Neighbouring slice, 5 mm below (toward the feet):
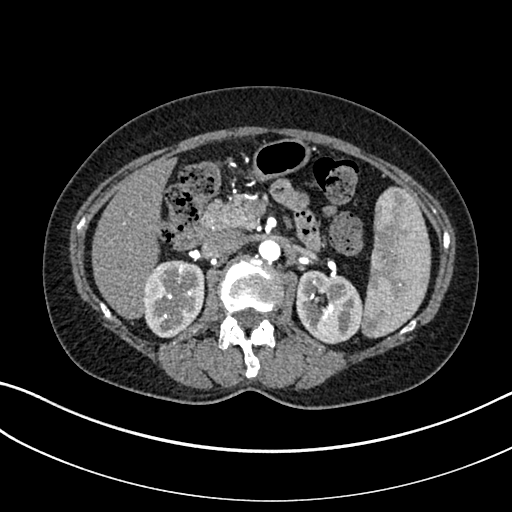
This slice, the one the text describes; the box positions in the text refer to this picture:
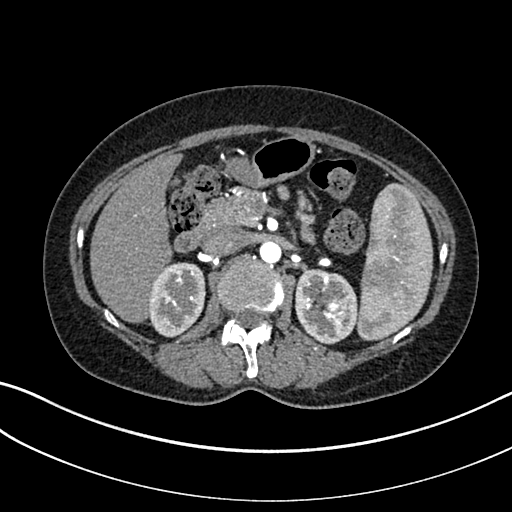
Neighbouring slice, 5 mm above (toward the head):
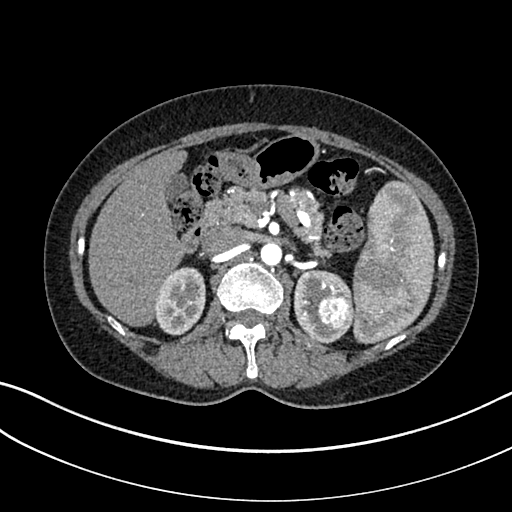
Arterial-phase contrast-enhanced abdominal CT, axial slice 195 of 325 (counted from the lowest slice); tube voltage 100 kVp, convolution kernel I30f; slices 1.00 mm thick, 0.703 mm per pixel.
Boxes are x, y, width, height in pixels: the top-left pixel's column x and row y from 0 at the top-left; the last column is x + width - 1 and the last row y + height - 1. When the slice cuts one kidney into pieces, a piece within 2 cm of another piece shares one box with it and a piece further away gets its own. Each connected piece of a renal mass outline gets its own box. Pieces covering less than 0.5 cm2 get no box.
Three boxes on this slice (two kidney boxes and one renal mass box), listed by box centre from the image's left to its right. (1) Right kidney at x 148, y 262, width 58, height 76 (outlined area 3,448 px, about 17.0 cm2). (2) Left kidney, box x 295, y 269, width 63, height 76 (outlined area 3,452 px, about 17.1 cm2). (3) Box x 322, y 302, width 21, height 22: left renal mass (outlined area 368 px, about 1.8 cm2). This slice is near the end of the left renal mass toward the feet, so the slices 5 mm below and 5 mm above it are shown as well; the boxes refer to this slice only.